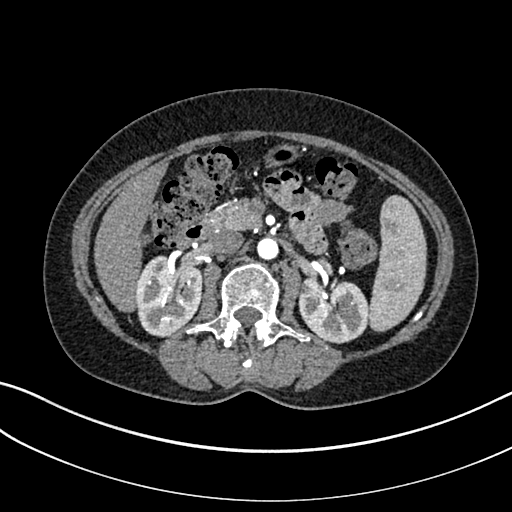
Arterial-phase contrast-enhanced abdominal CT, axial slice 169 of 325 (counted from the lowest slice); tube voltage 100 kVp, convolution kernel I30f; slices 1.00 mm thick, 0.703 mm per pixel.
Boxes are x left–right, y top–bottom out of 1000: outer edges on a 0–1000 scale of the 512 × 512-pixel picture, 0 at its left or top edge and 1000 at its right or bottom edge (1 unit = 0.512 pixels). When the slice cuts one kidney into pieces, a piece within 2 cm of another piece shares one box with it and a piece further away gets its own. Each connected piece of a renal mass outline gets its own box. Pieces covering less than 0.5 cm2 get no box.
Two boxes on this slice (two kidney boxes), listed by box centre from the image's left to its right. (1) Box x 266–398, y 498–660 out of 1000: right kidney (outlined area 4,303 px, about 21.3 cm2). (2) Box x 582–723, y 541–672 out of 1000: left kidney (outlined area 3,743 px, about 18.5 cm2). This slice carries no renal mass outline.